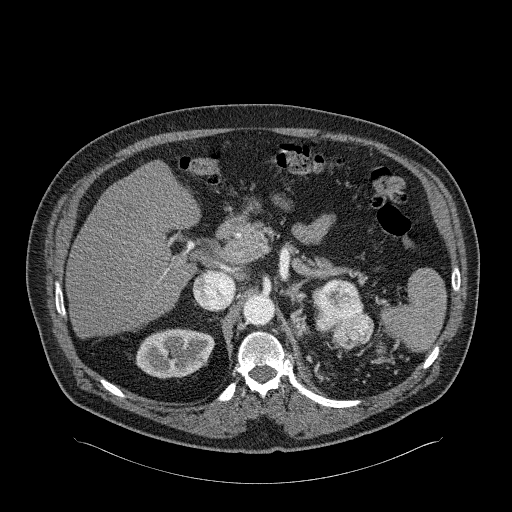
One axial slice (179 of 326, counting up from the lowest) of an arterial-phase abdominal CT acquired with 120 kVp, kernel B31f; each pixel is 0.963 mm and the slice is 2.00 mm thick.
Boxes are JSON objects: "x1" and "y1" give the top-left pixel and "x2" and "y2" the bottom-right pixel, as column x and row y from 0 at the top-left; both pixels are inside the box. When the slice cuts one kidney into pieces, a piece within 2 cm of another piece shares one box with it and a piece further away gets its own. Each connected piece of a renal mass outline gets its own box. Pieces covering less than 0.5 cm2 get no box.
One kidney box and two renal mass boxes on this slice; by box centre, from the image's left to its right: (1) Box {"x1": 136, "y1": 328, "x2": 214, "y2": 378}: right kidney (outlined area 3,104 px, about 28.8 cm2). (2) Box {"x1": 312, "y1": 278, "x2": 373, "y2": 349}: left renal mass (outlined area 3,047 px, about 28.3 cm2); here it is more than 1 cm from any kidney outline, though on another slice the same outlined renal mass lies within 1 cm of the kidney. (3) Box {"x1": 376, "y1": 341, "x2": 384, "y2": 354}: left renal mass (outlined area 92 px, about 0.9 cm2); here it is more than 1 cm from any kidney outline, though on another slice the same outlined renal mass lies within 1 cm of the kidney.